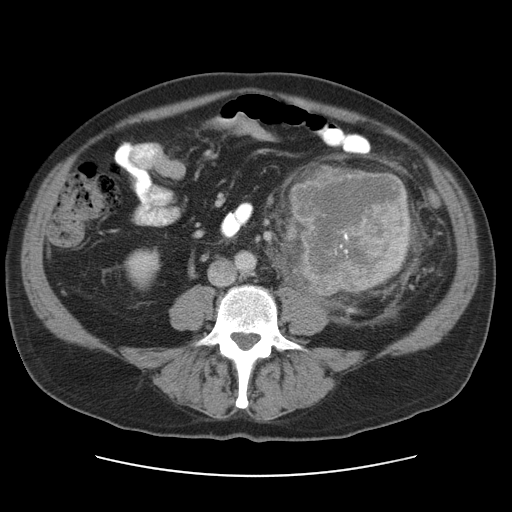
Abdominal CT with intravenous contrast, axial plane, 120 kVp, kernel STANDARD. Slice 48/95 from the bottom of the scan; thickness 5.00 mm; pixel size 0.781 mm.
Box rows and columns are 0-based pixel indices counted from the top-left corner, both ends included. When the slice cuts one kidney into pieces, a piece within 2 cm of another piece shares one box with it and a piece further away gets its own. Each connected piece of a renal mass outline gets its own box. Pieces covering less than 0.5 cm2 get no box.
Two boxes on this slice (one kidney box and one renal mass box), listed by box centre from the image's left to its right. (1) Box rows 247–290, columns 123–161: right kidney (outlined area 1,178 px, about 7.2 cm2). (2) Left renal mass, box rows 165–295, columns 289–413 (outlined area 12,962 px, about 79.1 cm2); here it is more than 1 cm from any kidney outline, though on another slice the same outlined renal mass lies within 1 cm of the kidney.